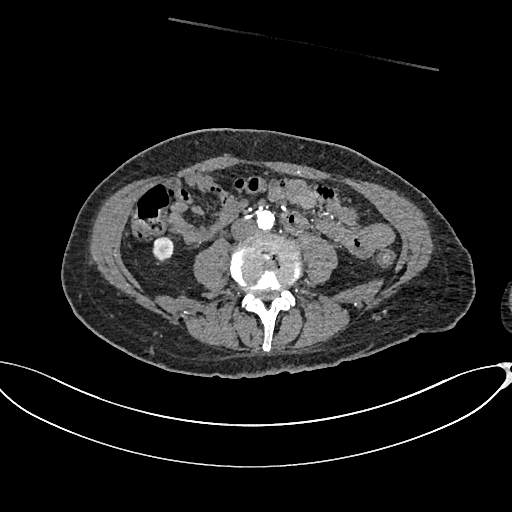
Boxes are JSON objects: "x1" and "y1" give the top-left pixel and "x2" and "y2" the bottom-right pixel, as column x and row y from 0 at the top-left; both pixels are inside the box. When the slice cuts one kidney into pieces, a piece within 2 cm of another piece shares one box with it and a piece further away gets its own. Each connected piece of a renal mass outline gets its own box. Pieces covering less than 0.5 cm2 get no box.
Arterial-phase contrast-enhanced abdominal CT, axial slice 272 of 665 (counted from the lowest slice); 1.00 mm thick, 0.828 mm per pixel. Box {"x1": 152, "y1": 236, "x2": 173, "y2": 260}: right kidney (outlined area 440 px, about 3.0 cm2). No renal mass outline on this slice.
Acquired at 100 kVp and reconstructed with the I26f kernel.